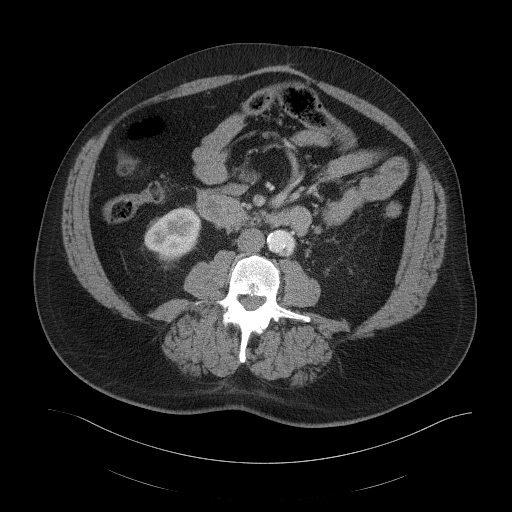
Axial slice 60 of 103 of a contrast-enhanced abdominal CT in the arterial phase (slice 1 is the lowest), 120 kVp, kernel B41f; 5.00 mm slice thickness and 0.951 mm pixels.
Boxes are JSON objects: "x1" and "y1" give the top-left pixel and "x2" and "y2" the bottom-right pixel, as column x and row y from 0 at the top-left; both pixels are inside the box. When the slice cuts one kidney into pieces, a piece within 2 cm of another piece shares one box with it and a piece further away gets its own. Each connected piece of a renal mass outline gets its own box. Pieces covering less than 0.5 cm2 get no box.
Box {"x1": 144, "y1": 207, "x2": 201, "y2": 260}: right kidney (outlined area 2,244 px, about 20.3 cm2). No renal mass outline on this slice.